One axial slice (367 of 591, counting up from the lowest) of an arterial-phase abdominal CT acquired with 140 kVp, kernel I30f; each pixel is 0.703 mm and the slice is 1.00 mm thick.
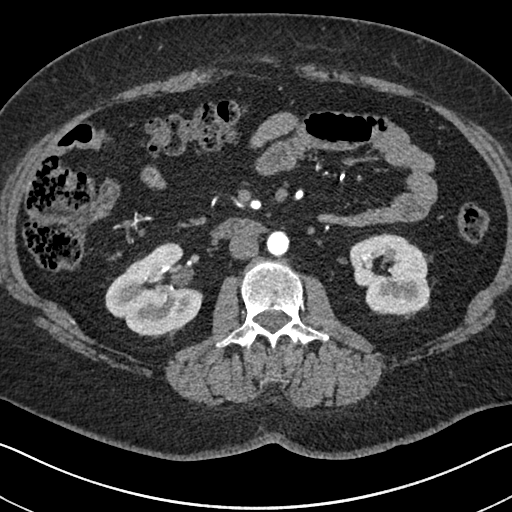
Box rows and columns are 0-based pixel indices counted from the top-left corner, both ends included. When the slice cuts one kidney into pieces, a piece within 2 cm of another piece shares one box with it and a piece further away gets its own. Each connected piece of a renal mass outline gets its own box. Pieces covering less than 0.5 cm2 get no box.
Two boxes on this slice (two kidney boxes), listed by box centre from the image's left to its right. (1) Box rows 242–338, columns 105–203: right kidney (outlined area 6,222 px, about 30.8 cm2). (2) Left kidney at rows 233–314, columns 350–430 (outlined area 4,967 px, about 24.6 cm2). No renal mass outline on this slice.